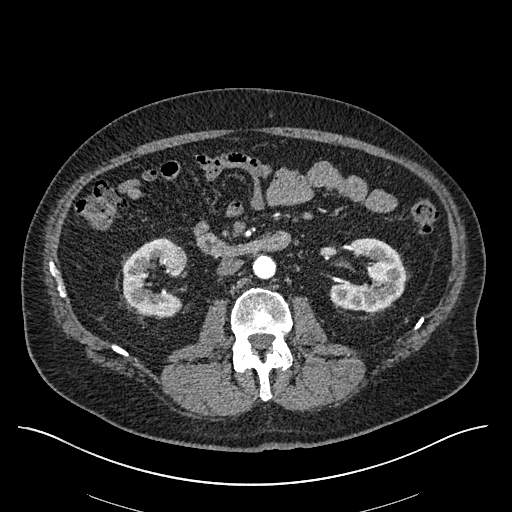
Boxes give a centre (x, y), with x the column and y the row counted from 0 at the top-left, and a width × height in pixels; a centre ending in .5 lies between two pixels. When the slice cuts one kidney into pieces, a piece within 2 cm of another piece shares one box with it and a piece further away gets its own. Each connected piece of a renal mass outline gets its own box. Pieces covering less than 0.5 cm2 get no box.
Arterial-phase contrast-enhanced abdominal CT, axial slice 304 of 670 (counted from the lowest slice); 1.00 mm thick, 0.861 mm per pixel. Two kidney boxes and one renal mass box on this slice; by box centre, from the image's left to its right: (1) Box centre (154.5, 277.5), 66 × 80 pixels: right kidney (outlined area 3,107 px, about 23.1 cm2). (2) Right renal mass in a box with centre (175, 257), 25 × 25 pixels (outlined area 487 px, about 3.6 cm2). (3) Left kidney, box centre (368, 274), 77 × 75 pixels (outlined area 3,724 px, about 27.6 cm2).
Acquired at 120 kVp and reconstructed with the I30f kernel.